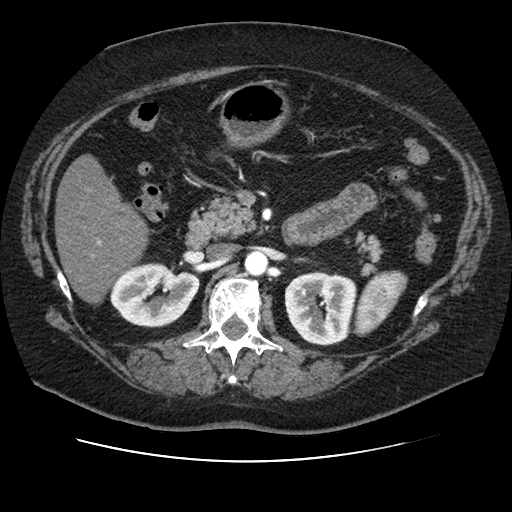
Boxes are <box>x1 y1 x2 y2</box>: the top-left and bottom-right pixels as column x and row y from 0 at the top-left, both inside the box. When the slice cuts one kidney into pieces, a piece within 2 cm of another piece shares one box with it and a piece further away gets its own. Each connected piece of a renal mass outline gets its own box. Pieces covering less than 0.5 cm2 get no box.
Arterial-phase contrast-enhanced abdominal CT, axial slice 61 of 106 (counted from the lowest slice); 2.50 mm thick, 0.742 mm per pixel. Two kidney boxes on this slice; by box centre, from the image's left to its right: (1) At <box>110 262 199 327</box>: right kidney (outlined area 4,294 px, about 23.7 cm2). (2) At <box>284 271 356 345</box>: left kidney (outlined area 4,290 px, about 23.6 cm2). No renal mass outline on this slice.
Scan settings: 120 kVp, STANDARD reconstruction kernel.